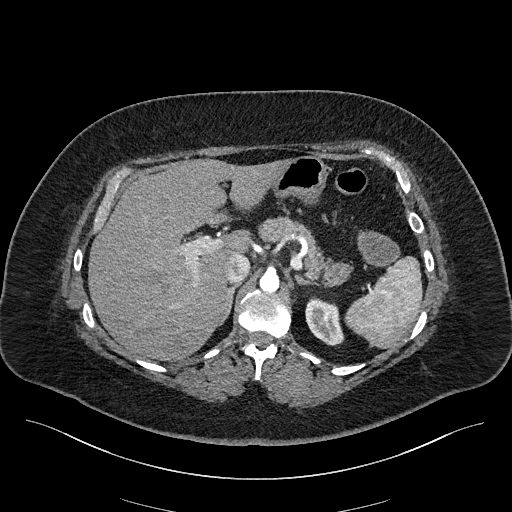
Arterial-phase contrast-enhanced abdominal CT, axial slice 159 of 270 (counted from the lowest slice); tube voltage 100 kVp, convolution kernel I40f; slices 2.00 mm thick, 0.855 mm per pixel.
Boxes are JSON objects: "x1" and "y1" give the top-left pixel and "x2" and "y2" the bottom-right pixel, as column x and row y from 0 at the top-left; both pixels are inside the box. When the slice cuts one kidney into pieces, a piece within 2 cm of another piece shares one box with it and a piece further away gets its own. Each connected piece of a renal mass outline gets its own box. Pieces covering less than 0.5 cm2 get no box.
Box {"x1": 305, "y1": 296, "x2": 344, "y2": 345}: left kidney (outlined area 1,380 px, about 10.1 cm2). No renal mass is outlined on this slice.